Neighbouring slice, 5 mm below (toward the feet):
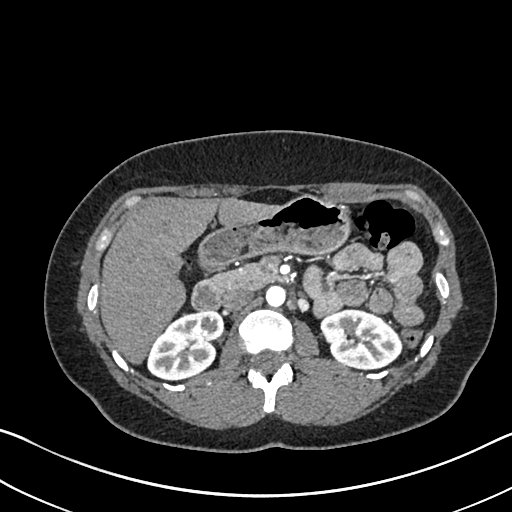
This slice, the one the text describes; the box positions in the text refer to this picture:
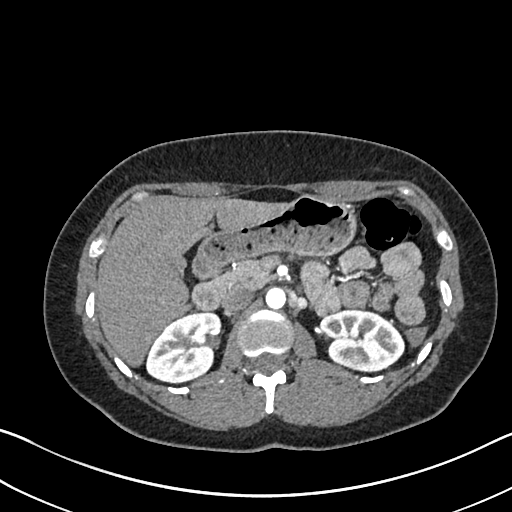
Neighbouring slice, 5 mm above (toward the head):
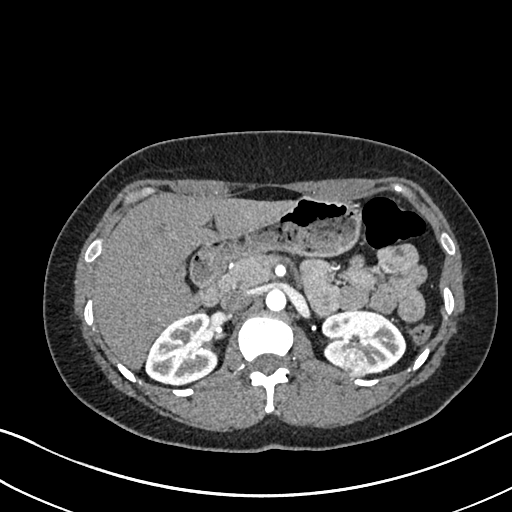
Abdominal CT with intravenous contrast, arterial phase, axial plane, 120 kVp, kernel I30f. Slice 436/612 from the bottom of the scan; thickness 1.00 mm; pixel size 0.703 mm.
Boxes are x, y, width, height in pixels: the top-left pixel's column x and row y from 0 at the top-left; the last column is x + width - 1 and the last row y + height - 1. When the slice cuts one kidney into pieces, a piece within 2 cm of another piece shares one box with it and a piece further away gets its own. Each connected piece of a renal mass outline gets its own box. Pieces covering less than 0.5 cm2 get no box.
Three boxes on this slice (two kidney boxes and one renal mass box), listed by box centre from the image's left to its right. (1) Right kidney, box x 146, y 311, width 77, height 73 (outlined area 3,993 px, about 19.7 cm2). (2) Left renal mass, box x 345, y 351, width 22, height 19 (outlined area 315 px, about 1.6 cm2). (3) Left kidney at x 317, y 308, width 88, height 64 (outlined area 3,813 px, about 18.9 cm2). This slice is near the end of the left renal mass toward the feet, so the slices 5 mm below and 5 mm above it are shown as well; the boxes refer to this slice only.